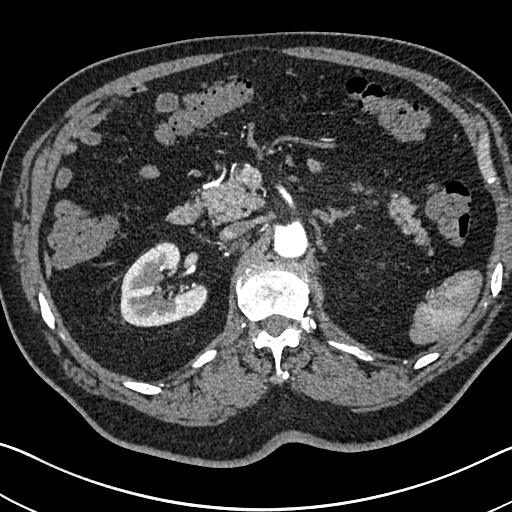
Arterial-phase contrast-enhanced abdominal CT, axial slice 473 of 705 (counted from the lowest slice); tube voltage 120 kVp, convolution kernel I30f; slices 1.00 mm thick, 0.703 mm per pixel.
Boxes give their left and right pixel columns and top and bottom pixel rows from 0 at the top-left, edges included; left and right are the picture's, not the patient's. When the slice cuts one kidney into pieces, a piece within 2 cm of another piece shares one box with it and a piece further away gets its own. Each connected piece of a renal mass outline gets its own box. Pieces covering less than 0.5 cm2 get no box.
Right kidney in the box with left 120, top 241, right 208, bottom 327 (outlined area 5,098 px, about 25.2 cm2). This slice carries no renal mass outline.